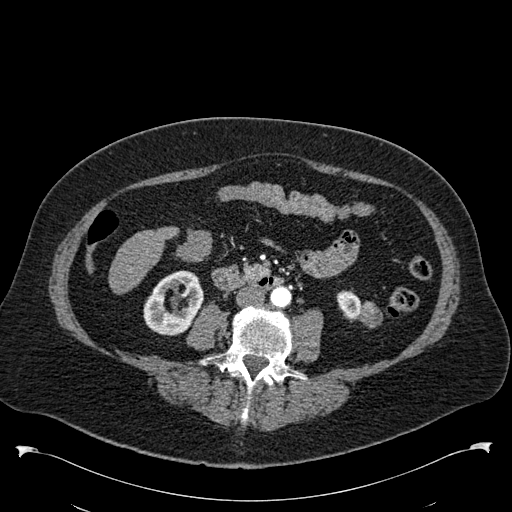
One axial slice (236 of 538, counting up from the lowest) of an arterial-phase abdominal CT acquired with 120 kVp, kernel B30f; each pixel is 0.811 mm and the slice is 1.00 mm thick.
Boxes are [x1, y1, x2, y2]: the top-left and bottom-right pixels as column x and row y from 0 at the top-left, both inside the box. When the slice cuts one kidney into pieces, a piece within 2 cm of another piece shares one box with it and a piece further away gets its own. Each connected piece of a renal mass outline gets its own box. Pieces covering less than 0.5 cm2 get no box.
Two kidney boxes and one renal mass box on this slice; by box centre, from the image's left to its right: (1) Box [143, 270, 203, 335]: right kidney (outlined area 2,725 px, about 17.9 cm2). (2) Box [336, 290, 361, 321]: left kidney (outlined area 587 px, about 3.9 cm2). (3) Box [359, 301, 382, 328]: left renal mass (outlined area 469 px, about 3.1 cm2).